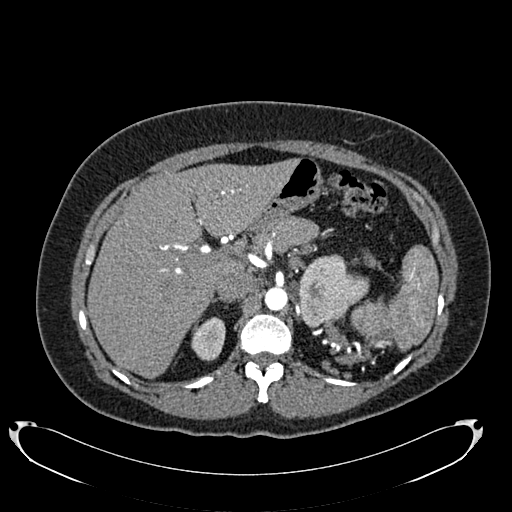
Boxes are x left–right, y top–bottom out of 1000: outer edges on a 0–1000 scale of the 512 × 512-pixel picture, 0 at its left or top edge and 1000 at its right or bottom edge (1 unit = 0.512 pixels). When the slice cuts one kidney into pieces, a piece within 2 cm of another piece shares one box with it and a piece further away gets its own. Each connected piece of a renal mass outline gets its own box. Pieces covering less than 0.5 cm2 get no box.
Arterial-phase contrast-enhanced abdominal CT, axial slice 527 of 634 (counted from the lowest slice); 1.00 mm thick, 0.838 mm per pixel. Two kidney boxes on this slice; by box centre, from the image's left to its right: (1) Right kidney, box x 373–441, y 619–707 out of 1000 (outlined area 1,159 px, about 8.1 cm2). (2) Left kidney at x 582–723, y 496–641 out of 1000 (outlined area 3,569 px, about 25.1 cm2).
Acquired at 120 kVp and reconstructed with the B20f kernel.